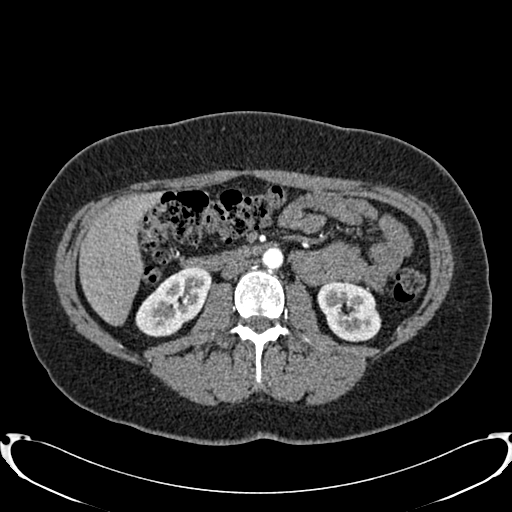
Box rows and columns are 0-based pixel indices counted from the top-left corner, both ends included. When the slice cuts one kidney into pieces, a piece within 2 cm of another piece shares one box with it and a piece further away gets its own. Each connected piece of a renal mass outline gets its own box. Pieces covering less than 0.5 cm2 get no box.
Arterial-phase contrast-enhanced abdominal CT, axial slice 423 of 719 (counted from the lowest slice); 1.00 mm thick, 0.766 mm per pixel. Two boxes on this slice (two kidney boxes), listed by box centre from the image's left to its right. (1) Right kidney at rows 266–337, columns 135–211 (outlined area 3,465 px, about 20.3 cm2). (2) Left kidney at rows 281–341, columns 317–381 (outlined area 2,931 px, about 17.2 cm2). This slice carries no renal mass outline.
Acquired at 120 kVp and reconstructed with the B20f kernel.